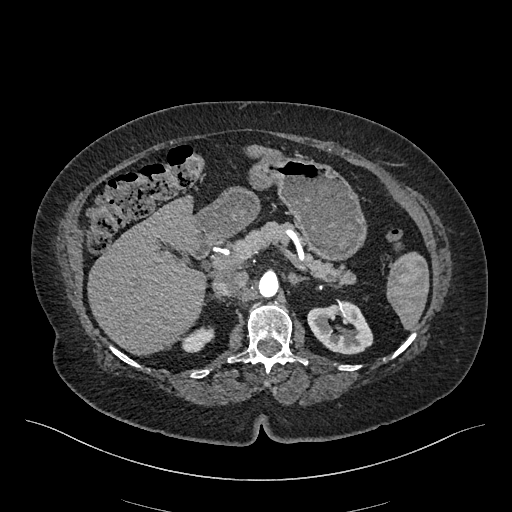
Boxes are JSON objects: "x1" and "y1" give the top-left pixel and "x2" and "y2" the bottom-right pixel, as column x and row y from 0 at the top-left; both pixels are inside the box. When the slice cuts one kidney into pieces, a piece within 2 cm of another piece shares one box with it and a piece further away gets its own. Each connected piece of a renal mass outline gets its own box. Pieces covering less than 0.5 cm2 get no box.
Slice 314/548 of a contrast-enhanced abdominal CT in the arterial phase, counting up from the lowest; pixel size 0.852 mm, slice thickness 1.00 mm. Two kidney boxes on this slice; by box centre, from the image's left to its right: (1) Right kidney, box {"x1": 182, "y1": 326, "x2": 214, "y2": 352} (outlined area 592 px, about 4.3 cm2). (2) Left kidney, box {"x1": 307, "y1": 301, "x2": 373, "y2": 354} (outlined area 2,442 px, about 17.7 cm2). No renal mass is outlined on this slice.
Tube voltage 120 kVp; convolution kernel I26f.